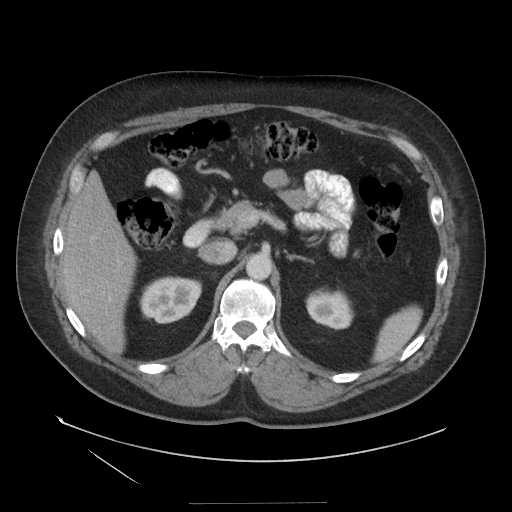
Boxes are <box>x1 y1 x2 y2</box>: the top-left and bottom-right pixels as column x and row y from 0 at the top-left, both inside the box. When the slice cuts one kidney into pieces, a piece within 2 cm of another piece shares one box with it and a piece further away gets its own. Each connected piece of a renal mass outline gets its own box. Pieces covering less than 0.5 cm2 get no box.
This is axial slice 92 of 129 (slice 1 is the lowest) of an arterial-phase abdominal CT with contrast; each pixel is 0.938 mm and the slice is 3.75 mm thick. Two kidney boxes on this slice; by box centre, from the image's left to its right: (1) Right kidney: <box>139 276 201 323</box> (outlined area 2,321 px, about 20.4 cm2). (2) Left kidney: <box>305 288 354 330</box> (outlined area 1,563 px, about 13.7 cm2). No renal mass outline on this slice.
Tube voltage 140 kVp; convolution kernel STANDARD.